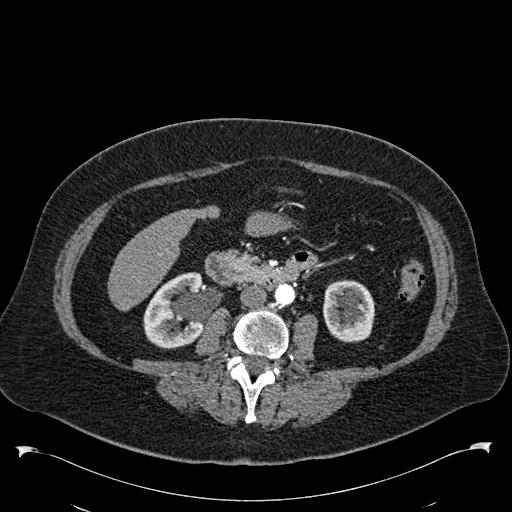
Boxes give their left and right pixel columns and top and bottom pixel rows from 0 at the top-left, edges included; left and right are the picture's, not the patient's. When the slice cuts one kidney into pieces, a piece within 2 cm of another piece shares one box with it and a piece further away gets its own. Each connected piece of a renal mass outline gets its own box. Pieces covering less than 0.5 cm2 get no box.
Slice 274/538 of a contrast-enhanced abdominal CT in the arterial phase, counting up from the lowest; pixel size 0.811 mm, slice thickness 1.00 mm. Boxed on this slice (two kidney boxes), listed by box centre from the image's left to its right: (1) Right kidney in the box with left 143, top 272, right 202, bottom 348 (outlined area 3,575 px, about 23.5 cm2). (2) Left kidney, the box with left 323, top 280, right 375, bottom 342 (outlined area 2,708 px, about 17.8 cm2). No renal mass outline on this slice.
Acquired at 120 kVp and reconstructed with the B30f kernel.